One axial slice (65 of 227, counting up from the lowest) of an arterial-phase abdominal CT acquired with 120 kVp, kernel I31f; each pixel is 0.816 mm and the slice is 3.00 mm thick.
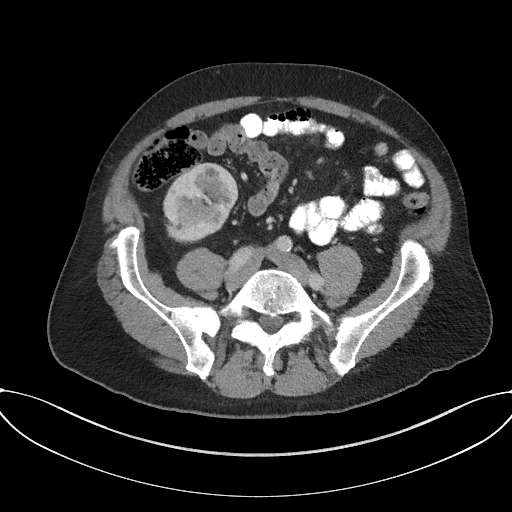
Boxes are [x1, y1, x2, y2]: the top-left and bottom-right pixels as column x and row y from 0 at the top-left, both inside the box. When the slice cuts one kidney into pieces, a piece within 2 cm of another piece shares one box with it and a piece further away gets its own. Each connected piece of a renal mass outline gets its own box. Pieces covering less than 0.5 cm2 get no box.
Box [163, 162, 237, 242]: right kidney (outlined area 4,490 px, about 29.9 cm2). No renal mass outline on this slice.